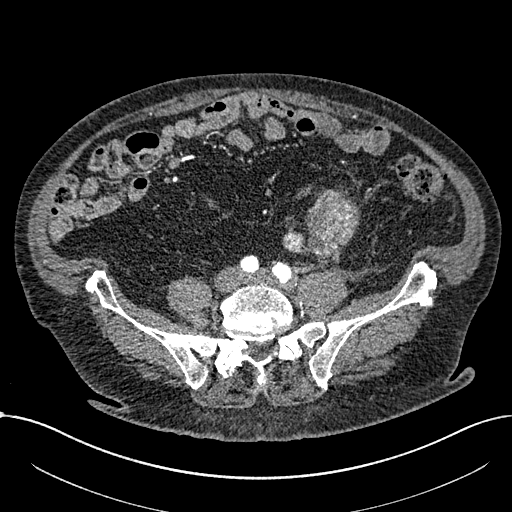
Axial slice 176 of 1059 of a contrast-enhanced abdominal CT in the arterial phase (slice 1 is the lowest), 100 kVp, kernel I30f; 1.00 mm slice thickness and 0.811 mm pixels.
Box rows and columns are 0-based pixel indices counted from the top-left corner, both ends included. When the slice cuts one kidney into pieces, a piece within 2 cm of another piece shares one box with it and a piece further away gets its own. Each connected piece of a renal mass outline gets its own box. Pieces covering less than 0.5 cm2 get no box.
Two renal mass boxes on this slice; by box centre, from the image's left to its right: (1) Renal mass at rows 228–253, columns 282–306 (outlined area 445 px, about 2.9 cm2); no kidney outline appears on this slice, but the same outlined renal mass comes within 1 cm of the kidney on another slice. (2) Renal mass, box rows 189–265, columns 305–360 (outlined area 2,907 px, about 19.1 cm2); this slice has no kidney outline, though on another slice the same outlined renal mass lies within 1 cm of the kidney.